One axial slice (499 of 665, counting up from the lowest) of an arterial-phase abdominal CT acquired with 100 kVp, kernel I26f; each pixel is 0.828 mm and the slice is 1.00 mm thick.
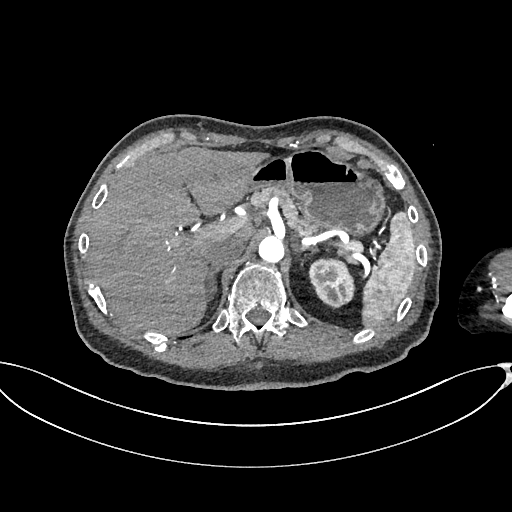
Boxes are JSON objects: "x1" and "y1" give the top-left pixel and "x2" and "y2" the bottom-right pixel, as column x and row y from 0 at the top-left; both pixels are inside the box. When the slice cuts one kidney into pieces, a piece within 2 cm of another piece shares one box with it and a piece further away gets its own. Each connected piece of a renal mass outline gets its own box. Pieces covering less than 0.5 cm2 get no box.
Left kidney at {"x1": 308, "y1": 257, "x2": 355, "y2": 308} (outlined area 1,796 px, about 12.3 cm2). This slice carries no renal mass outline.